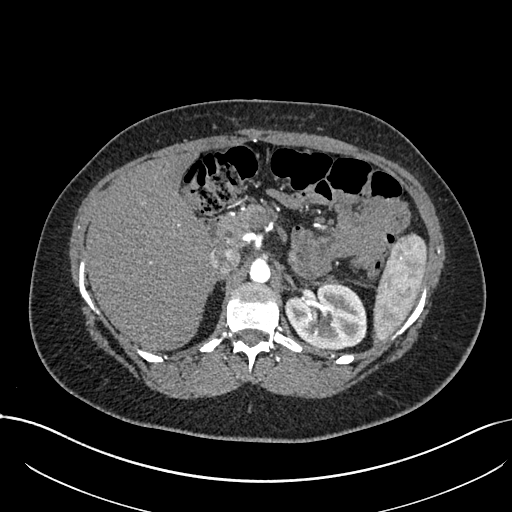
Axial slice 502 of 738 of a contrast-enhanced abdominal CT in the arterial phase (slice 1 is the lowest), 120 kVp, kernel I30f; 1.00 mm slice thickness and 0.789 mm pixels.
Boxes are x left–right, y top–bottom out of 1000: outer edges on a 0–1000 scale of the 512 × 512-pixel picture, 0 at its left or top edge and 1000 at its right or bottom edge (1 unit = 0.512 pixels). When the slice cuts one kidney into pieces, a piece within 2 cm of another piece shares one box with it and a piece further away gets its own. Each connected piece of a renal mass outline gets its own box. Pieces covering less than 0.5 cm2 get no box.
Left kidney at x 555–717, y 549–682 out of 1000 (outlined area 4,286 px, about 26.7 cm2). This slice carries no renal mass outline.